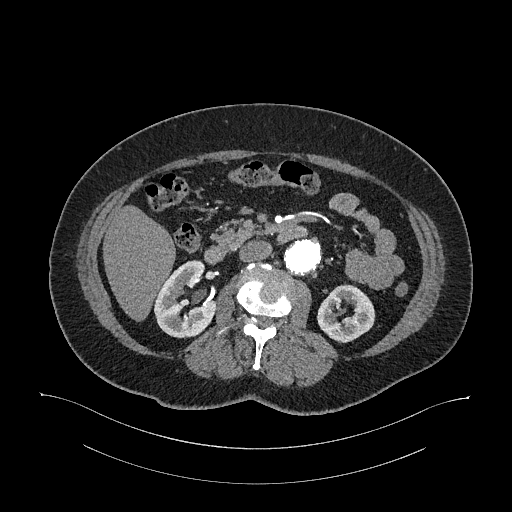
Axial slice 633 of 987 of a contrast-enhanced abdominal CT in the arterial phase (slice 1 is the lowest), 120 kVp, kernel I26f; 1.00 mm slice thickness and 0.977 mm pixels.
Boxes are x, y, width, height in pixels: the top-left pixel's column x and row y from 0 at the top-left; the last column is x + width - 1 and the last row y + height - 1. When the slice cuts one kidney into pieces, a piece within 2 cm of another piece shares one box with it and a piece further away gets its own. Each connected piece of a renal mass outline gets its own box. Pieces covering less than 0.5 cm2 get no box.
Two kidney boxes on this slice; by box centre, from the image's left to its right: (1) Box x 153, y 260, width 64, height 79: right kidney (outlined area 3,348 px, about 31.9 cm2). (2) Left kidney at x 317, y 284, width 59, height 59 (outlined area 2,406 px, about 22.9 cm2). This slice carries no renal mass outline.